One axial slice (172 of 279, counting up from the lowest) of an arterial-phase abdominal CT acquired with 120 kVp, kernel B31f; each pixel is 0.824 mm and the slice is 2.00 mm thick.
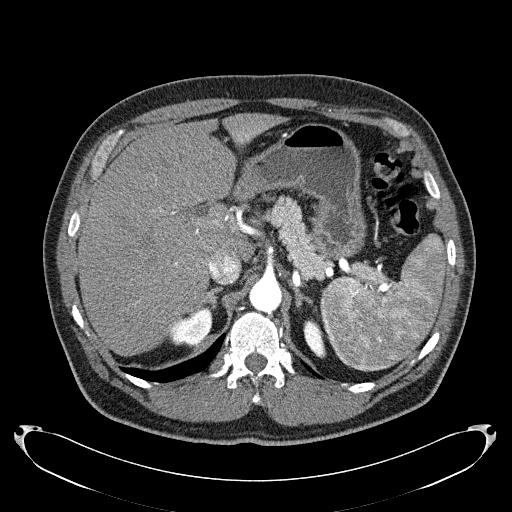
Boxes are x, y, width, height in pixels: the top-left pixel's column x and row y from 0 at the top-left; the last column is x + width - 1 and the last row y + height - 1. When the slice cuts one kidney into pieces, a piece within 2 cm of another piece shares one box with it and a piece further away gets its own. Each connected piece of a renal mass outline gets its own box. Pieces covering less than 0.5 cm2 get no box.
Two kidney boxes on this slice; by box centre, from the image's left to its right: (1) Right kidney at x 167, y 305, width 46, height 41 (outlined area 1,234 px, about 8.4 cm2). (2) Left kidney at x 303, y 318, width 24, height 41 (outlined area 609 px, about 4.1 cm2). No renal mass is outlined on this slice.